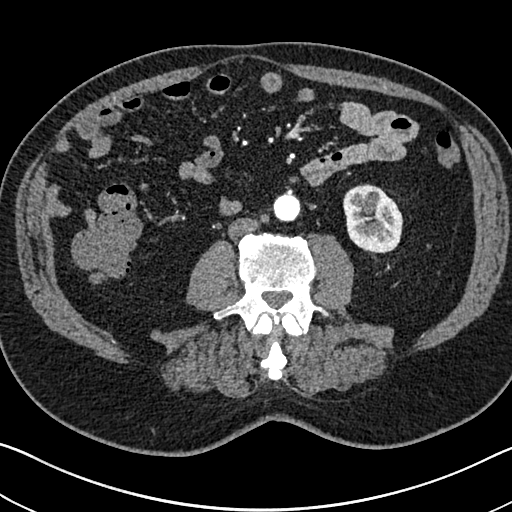
One axial slice (309 of 705, counting up from the lowest) of an arterial-phase abdominal CT acquired with 120 kVp, kernel I30f; each pixel is 0.703 mm and the slice is 1.00 mm thick.
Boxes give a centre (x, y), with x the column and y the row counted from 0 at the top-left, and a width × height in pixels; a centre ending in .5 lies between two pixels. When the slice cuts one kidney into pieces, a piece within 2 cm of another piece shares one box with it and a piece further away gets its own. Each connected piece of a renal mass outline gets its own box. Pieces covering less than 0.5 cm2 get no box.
Left kidney in a box with centre (373, 218.5), 61 × 70 pixels (outlined area 3,282 px, about 16.2 cm2). No renal mass outline on this slice.